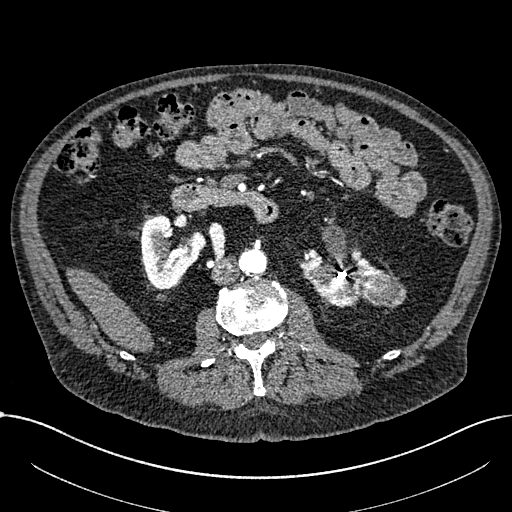
Arterial-phase contrast-enhanced abdominal CT, axial slice 369 of 1059 (counted from the lowest slice); tube voltage 100 kVp, convolution kernel I30f; slices 1.00 mm thick, 0.811 mm per pixel.
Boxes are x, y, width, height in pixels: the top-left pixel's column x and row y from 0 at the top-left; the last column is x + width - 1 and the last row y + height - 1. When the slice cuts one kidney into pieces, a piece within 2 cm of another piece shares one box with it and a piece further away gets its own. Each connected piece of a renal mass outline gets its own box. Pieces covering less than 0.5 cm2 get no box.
Boxed on this slice (two kidney boxes and one renal mass box), listed by box centre from the image's left to its right: (1) Box x 141, y 214, width 66, height 76: right part of the midline-crossing kidney (outlined area 3,200 px, about 21.0 cm2). (2) Left part of the midline-crossing kidney, box x 299, y 248, width 86, height 60 (outlined area 2,848 px, about 18.7 cm2). (3) Renal mass, box x 358, y 273, width 49, height 36 (outlined area 1,319 px, about 8.7 cm2).